One axial slice (155 of 274, counting up from the lowest) of a contrast-enhanced abdominal CT acquired with 120 kVp, kernel B31f; each pixel is 0.977 mm and the slice is 2.00 mm thick.
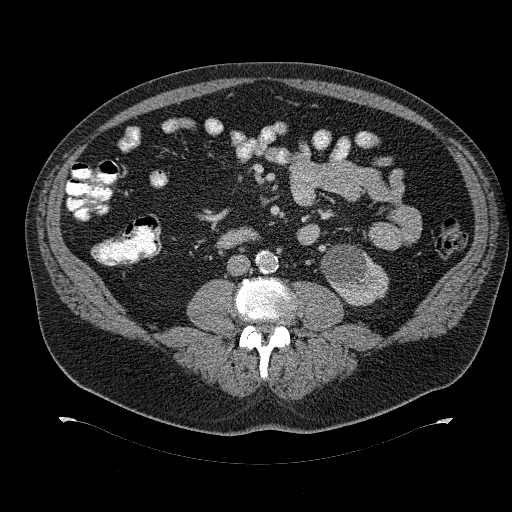
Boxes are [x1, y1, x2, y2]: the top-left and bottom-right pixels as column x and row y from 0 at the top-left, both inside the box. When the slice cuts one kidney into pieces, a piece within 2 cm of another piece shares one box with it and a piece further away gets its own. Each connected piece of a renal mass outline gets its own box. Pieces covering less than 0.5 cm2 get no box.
Box [320, 244, 389, 306]: left kidney (outlined area 2,954 px, about 28.2 cm2). No renal mass is outlined on this slice.